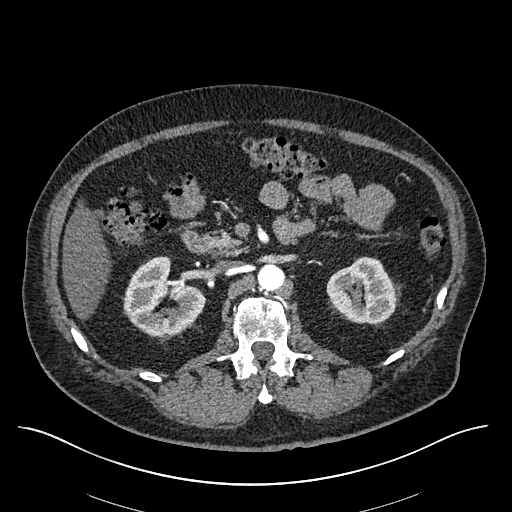
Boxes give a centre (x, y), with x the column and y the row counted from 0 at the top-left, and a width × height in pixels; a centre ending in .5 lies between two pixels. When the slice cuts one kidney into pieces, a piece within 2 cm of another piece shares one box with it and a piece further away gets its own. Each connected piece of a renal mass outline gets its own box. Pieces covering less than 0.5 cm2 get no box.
Slice 359/670 of a contrast-enhanced abdominal CT in the arterial phase, counting up from the lowest; pixel size 0.861 mm, slice thickness 1.00 mm. Two boxes on this slice (two kidney boxes), listed by box centre from the image's left to its right. (1) Right kidney, box centre (164, 296), 83 × 81 pixels (outlined area 4,501 px, about 33.4 cm2). (2) Left kidney, box centre (364, 289.5), 75 × 68 pixels (outlined area 3,652 px, about 27.1 cm2). No renal mass outline on this slice.
Acquired at 120 kVp and reconstructed with the I30f kernel.